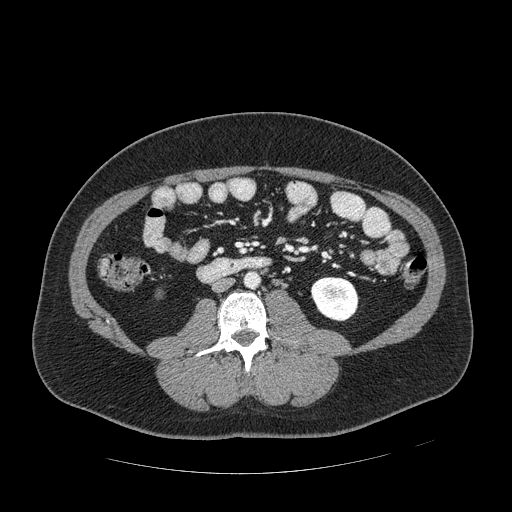
Axial slice 221 of 389 of a contrast-enhanced abdominal CT in the arterial phase (slice 1 is the lowest), 120 kVp, kernel STANDARD; 1.25 mm slice thickness and 0.869 mm pixels.
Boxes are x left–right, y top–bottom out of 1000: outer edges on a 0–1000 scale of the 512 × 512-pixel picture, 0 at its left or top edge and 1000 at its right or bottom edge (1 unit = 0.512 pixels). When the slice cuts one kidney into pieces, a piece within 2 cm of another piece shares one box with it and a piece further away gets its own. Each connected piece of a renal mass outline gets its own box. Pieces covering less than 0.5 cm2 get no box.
Two boxes on this slice (two kidney boxes), listed by box centre from the image's left to its right. (1) Right kidney at x 303–322, y 563–586 out of 1000 (outlined area 80 px, about 0.6 cm2). (2) Box x 605–699, y 539–629 out of 1000: left kidney (outlined area 1,708 px, about 12.9 cm2). No renal mass outline on this slice.